Contrast-enhanced abdominal CT, axial slice 266 of 470 (counted from the lowest slice); tube voltage 100 kVp, convolution kernel I40f; slices 2.00 mm thick, 0.824 mm per pixel.
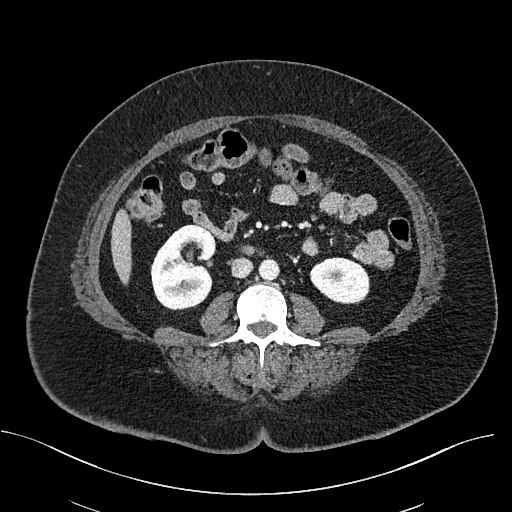
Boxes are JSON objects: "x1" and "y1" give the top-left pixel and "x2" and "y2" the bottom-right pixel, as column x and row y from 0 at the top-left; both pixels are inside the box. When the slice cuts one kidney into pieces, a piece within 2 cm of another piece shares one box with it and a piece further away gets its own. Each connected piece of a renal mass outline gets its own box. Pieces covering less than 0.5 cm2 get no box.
Two kidney boxes on this slice; by box centre, from the image's left to its right: (1) Right kidney at {"x1": 150, "y1": 223, "x2": 216, "y2": 310} (outlined area 4,271 px, about 29.0 cm2). (2) Left kidney, box {"x1": 309, "y1": 257, "x2": 369, "y2": 304} (outlined area 2,192 px, about 14.9 cm2). No renal mass outline on this slice.